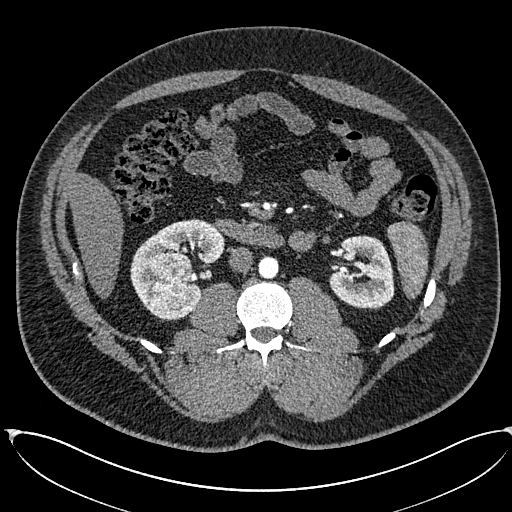
Abdominal CT with intravenous contrast, arterial phase, axial plane, 120 kVp, kernel I30f. Slice 319/673 from the bottom of the scan; thickness 1.00 mm; pixel size 0.855 mm.
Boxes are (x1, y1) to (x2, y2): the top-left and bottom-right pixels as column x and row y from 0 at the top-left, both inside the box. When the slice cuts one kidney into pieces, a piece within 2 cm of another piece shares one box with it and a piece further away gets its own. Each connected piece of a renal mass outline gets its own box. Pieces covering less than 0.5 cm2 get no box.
Three boxes on this slice (two kidney boxes and one renal mass box), listed by box centre from the image's left to its right. (1) Box (149, 252) to (192, 310): right renal mass (outlined area 2,176 px, about 15.9 cm2). (2) Right kidney from (130, 218) to (224, 320) (outlined area 4,393 px, about 32.1 cm2). (3) Left kidney, box (328, 235) to (394, 309) (outlined area 3,739 px, about 27.4 cm2).